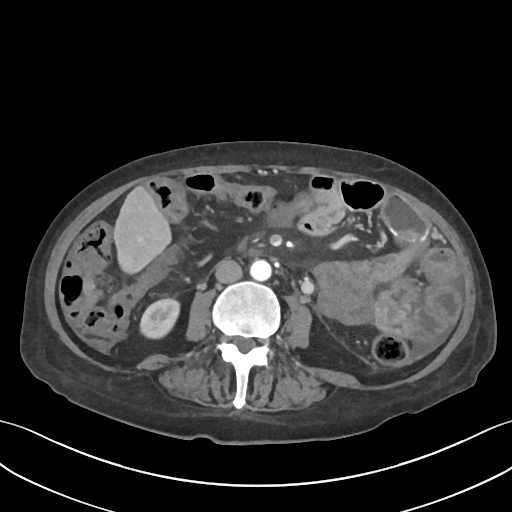
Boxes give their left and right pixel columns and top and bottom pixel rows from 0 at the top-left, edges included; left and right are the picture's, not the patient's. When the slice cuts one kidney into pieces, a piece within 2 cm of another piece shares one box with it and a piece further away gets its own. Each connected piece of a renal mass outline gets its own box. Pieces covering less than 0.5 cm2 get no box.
Slice 21/109 of a contrast-enhanced abdominal CT, counting up from the lowest; pixel size 0.742 mm, slice thickness 3.00 mm. Box with left 139, top 297, right 180, bottom 339: right kidney (outlined area 1,337 px, about 7.4 cm2). No renal mass is outlined on this slice.
Acquired at 120 kVp and reconstructed with the I30f kernel.